Arterial-phase contrast-enhanced abdominal CT, axial slice 335 of 723 (counted from the lowest slice); tube voltage 120 kVp, convolution kernel B30f; slices 1.00 mm thick, 0.895 mm per pixel.
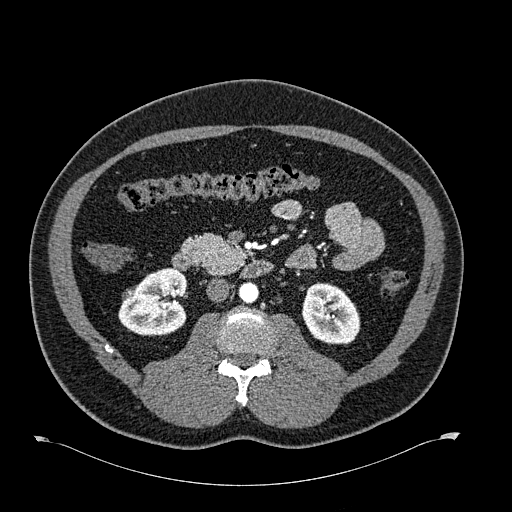
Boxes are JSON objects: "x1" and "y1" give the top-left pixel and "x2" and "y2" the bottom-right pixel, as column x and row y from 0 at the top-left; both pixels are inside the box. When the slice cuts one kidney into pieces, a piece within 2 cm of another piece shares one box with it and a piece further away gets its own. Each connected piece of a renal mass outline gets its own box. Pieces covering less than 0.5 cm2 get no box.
Three boxes on this slice (two kidney boxes and one renal mass box), listed by box centre from the image's left to its right. (1) Right renal mass, box {"x1": 122, "y1": 288, "x2": 135, "y2": 300} (outlined area 130 px, about 1.0 cm2). (2) Right kidney, box {"x1": 118, "y1": 267, "x2": 187, "y2": 335} (outlined area 3,542 px, about 28.3 cm2). (3) Box {"x1": 301, "y1": 282, "x2": 360, "y2": 344}: left kidney (outlined area 2,829 px, about 22.6 cm2).